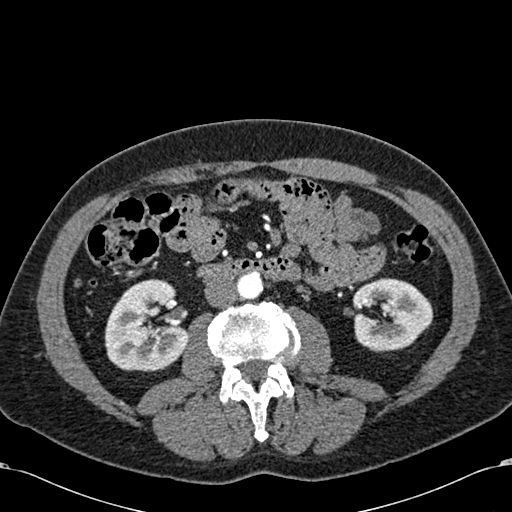
Abdominal CT with intravenous contrast, arterial phase, axial plane, 120 kVp, kernel B30f. Slice 296/581 from the bottom of the scan; thickness 1.00 mm; pixel size 0.713 mm.
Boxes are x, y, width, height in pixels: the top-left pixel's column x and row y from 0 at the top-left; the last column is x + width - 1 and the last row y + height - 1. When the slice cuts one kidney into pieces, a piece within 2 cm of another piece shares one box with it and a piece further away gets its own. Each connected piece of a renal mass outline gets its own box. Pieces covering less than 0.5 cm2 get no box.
Boxed on this slice (two kidney boxes), listed by box centre from the image's left to its right: (1) Right kidney, box x 104, y 279, width 85, height 93 (outlined area 5,901 px, about 30.0 cm2). (2) Box x 352, y 278, width 82, height 74: left kidney (outlined area 4,475 px, about 22.7 cm2). This slice carries no renal mass outline.